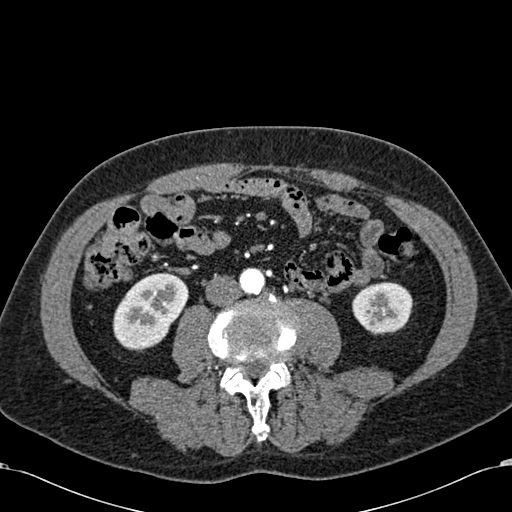
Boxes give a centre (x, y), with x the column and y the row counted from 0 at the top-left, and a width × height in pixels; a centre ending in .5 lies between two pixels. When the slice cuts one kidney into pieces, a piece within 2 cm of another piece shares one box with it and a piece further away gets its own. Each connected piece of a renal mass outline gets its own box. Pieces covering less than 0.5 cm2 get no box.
Arterial-phase contrast-enhanced abdominal CT, axial slice 240 of 581 (counted from the lowest slice); 1.00 mm thick, 0.713 mm per pixel. Boxed on this slice (two kidney boxes), listed by box centre from the image's left to its right: (1) Right kidney, box centre (150.5, 311.5), 76 × 80 pixels (outlined area 4,170 px, about 21.2 cm2). (2) Left kidney, box centre (382.5, 308), 62 × 53 pixels (outlined area 2,536 px, about 12.9 cm2). No renal mass outline on this slice.
Tube voltage 120 kVp; convolution kernel B30f.